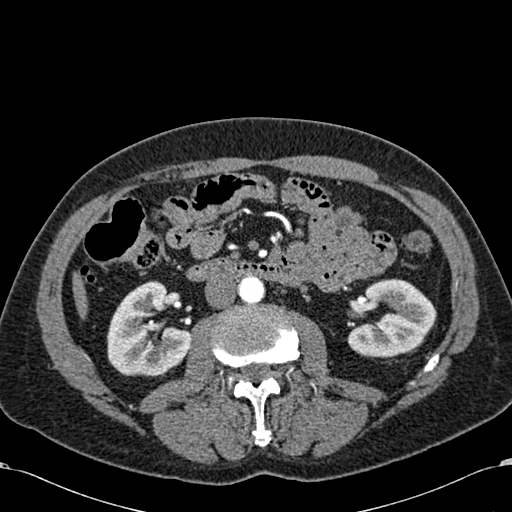
Axial slice 315 of 581 of a contrast-enhanced abdominal CT in the arterial phase (slice 1 is the lowest), 120 kVp, kernel B30f; 1.00 mm slice thickness and 0.713 mm pixels.
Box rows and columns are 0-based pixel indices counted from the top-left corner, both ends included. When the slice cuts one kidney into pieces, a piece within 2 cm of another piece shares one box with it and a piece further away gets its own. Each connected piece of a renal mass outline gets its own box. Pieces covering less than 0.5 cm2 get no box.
Two kidney boxes on this slice; by box centre, from the image's left to its right: (1) Box rows 281–376, columns 107–190: right kidney (outlined area 5,578 px, about 28.3 cm2). (2) Left kidney at rows 278–357, columns 346–436 (outlined area 5,042 px, about 25.6 cm2). No renal mass is outlined on this slice.